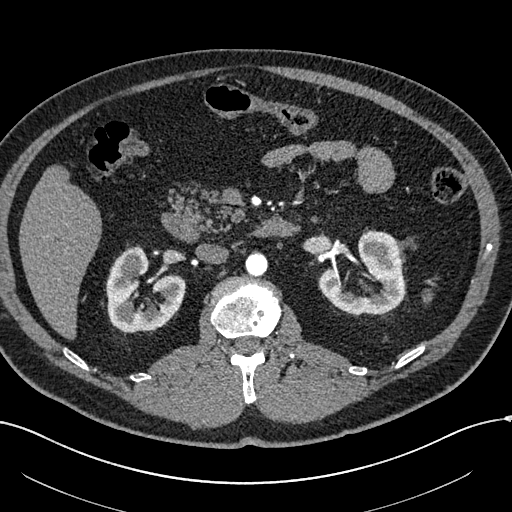
Axial slice 351 of 602 of a contrast-enhanced abdominal CT in the arterial phase (slice 1 is the lowest), 120 kVp, kernel I30f; 1.00 mm slice thickness and 0.799 mm pixels.
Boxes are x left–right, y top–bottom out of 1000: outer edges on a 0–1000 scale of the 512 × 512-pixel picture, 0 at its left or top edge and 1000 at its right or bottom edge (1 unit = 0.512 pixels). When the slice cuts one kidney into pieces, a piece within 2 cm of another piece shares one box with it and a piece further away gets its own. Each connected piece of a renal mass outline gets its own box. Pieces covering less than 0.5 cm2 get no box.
Boxed on this slice (two kidney boxes and one renal mass box), listed by box centre from the image's left to its right: (1) Right renal mass at x 234–275, y 496–543 out of 1000 (outlined area 396 px, about 2.5 cm2). (2) Right kidney, box x 207–363, y 479–652 out of 1000 (outlined area 4,168 px, about 26.6 cm2). (3) Box x 621–795, y 451–615 out of 1000: left kidney (outlined area 4,664 px, about 29.8 cm2).